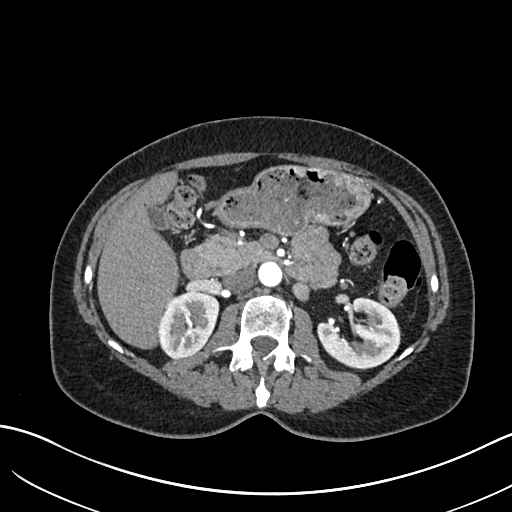
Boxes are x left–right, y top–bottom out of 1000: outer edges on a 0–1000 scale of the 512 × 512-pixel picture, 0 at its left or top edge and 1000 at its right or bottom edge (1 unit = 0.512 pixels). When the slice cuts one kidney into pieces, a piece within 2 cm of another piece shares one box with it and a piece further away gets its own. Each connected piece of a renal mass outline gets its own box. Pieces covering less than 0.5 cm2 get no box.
Arterial-phase contrast-enhanced abdominal CT, axial slice 387 of 683 (counted from the lowest slice); 1.00 mm thick, 0.738 mm per pixel. Two kidney boxes on this slice; by box centre, from the image's left to its right: (1) Right kidney, box x 309–430, y 568–701 out of 1000 (outlined area 3,198 px, about 17.4 cm2). (2) Left kidney, box x 619–783, y 580–723 out of 1000 (outlined area 4,060 px, about 22.1 cm2). This slice carries no renal mass outline.
Acquired at 120 kVp and reconstructed with the I30f kernel.